Abdominal CT with intravenous contrast, axial plane, 120 kVp, kernel B30f. Slice 204/433 from the bottom of the scan; thickness 1.00 mm; pixel size 0.672 mm.
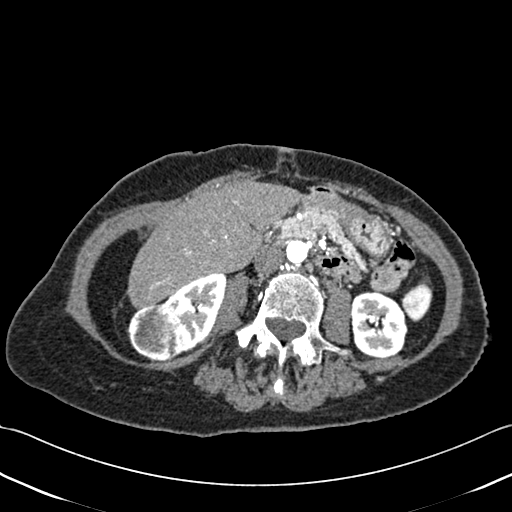
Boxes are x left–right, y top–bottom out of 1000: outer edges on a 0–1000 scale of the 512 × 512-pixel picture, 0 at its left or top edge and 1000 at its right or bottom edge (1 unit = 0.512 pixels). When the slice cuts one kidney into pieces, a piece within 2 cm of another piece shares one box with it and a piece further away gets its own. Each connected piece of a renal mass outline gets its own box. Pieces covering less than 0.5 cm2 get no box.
Three boxes on this slice (two kidney boxes and one renal mass box), listed by box centre from the image's left to its right. (1) Box x 248–357, y 592–705 out of 1000: right renal mass (outlined area 2,501 px, about 11.3 cm2). (2) Right kidney at x 314–443, y 533–689 out of 1000 (outlined area 2,904 px, about 13.1 cm2). (3) Left kidney, box x 686–797, y 568–701 out of 1000 (outlined area 3,133 px, about 14.1 cm2).